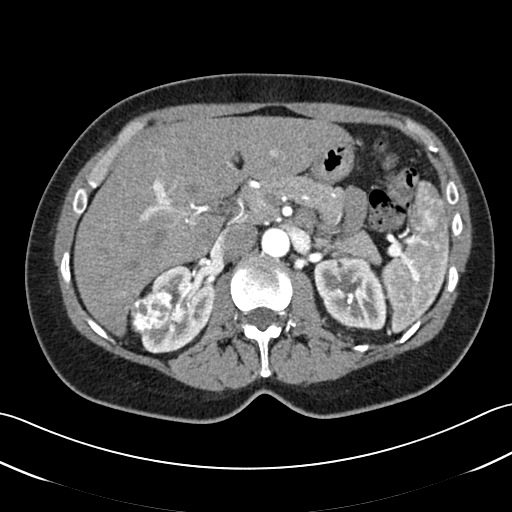
Arterial-phase contrast-enhanced abdominal CT, axial slice 30 of 52 (counted from the lowest slice); tube voltage 120 kVp, convolution kernel B30f; slices 3.00 mm thick, 0.678 mm per pixel.
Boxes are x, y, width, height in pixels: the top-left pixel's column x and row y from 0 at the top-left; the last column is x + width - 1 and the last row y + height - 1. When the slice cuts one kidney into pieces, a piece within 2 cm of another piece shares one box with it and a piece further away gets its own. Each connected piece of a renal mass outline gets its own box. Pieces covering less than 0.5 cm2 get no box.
Boxed on this slice (two kidney boxes and one renal mass box), listed by box centre from the image's left to its right: (1) Right renal mass at x 129, y 290, width 47, height 47 (outlined area 1,606 px, about 7.4 cm2). (2) Right kidney, box x 141, y 265, width 75, height 89 (outlined area 3,723 px, about 17.1 cm2). (3) Left kidney at x 313, y 257, width 74, height 74 (outlined area 4,163 px, about 19.1 cm2).